Abdominal CT with intravenous contrast, arterial phase, axial plane, 120 kVp, kernel I26f. Slice 562/987 from the bottom of the scan; thickness 1.00 mm; pixel size 0.977 mm.
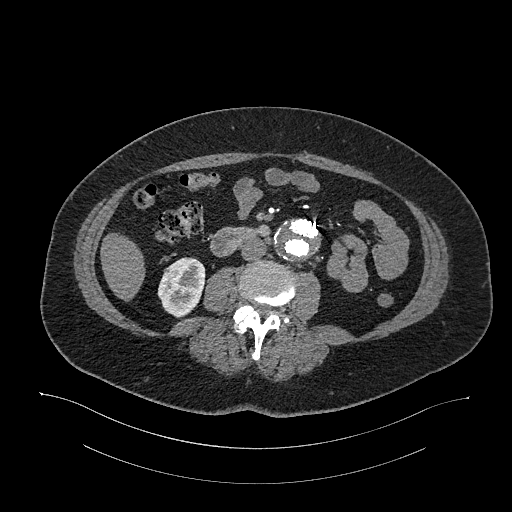
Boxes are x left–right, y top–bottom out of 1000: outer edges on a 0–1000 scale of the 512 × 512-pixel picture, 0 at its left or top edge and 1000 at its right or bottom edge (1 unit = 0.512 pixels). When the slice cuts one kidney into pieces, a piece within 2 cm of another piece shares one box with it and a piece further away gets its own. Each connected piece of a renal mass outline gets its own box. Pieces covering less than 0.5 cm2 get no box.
Right kidney at x 307–402, y 502–623 out of 1000 (outlined area 2,168 px, about 20.7 cm2).